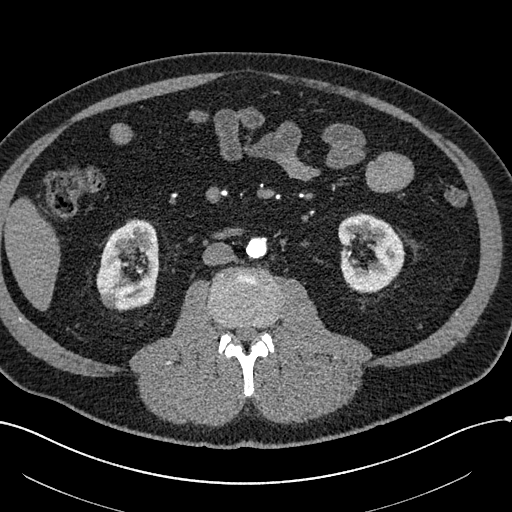
Abdominal CT with intravenous contrast, arterial phase, axial plane, 120 kVp, kernel I30f. Slice 266/602 from the bottom of the scan; thickness 1.00 mm; pixel size 0.799 mm.
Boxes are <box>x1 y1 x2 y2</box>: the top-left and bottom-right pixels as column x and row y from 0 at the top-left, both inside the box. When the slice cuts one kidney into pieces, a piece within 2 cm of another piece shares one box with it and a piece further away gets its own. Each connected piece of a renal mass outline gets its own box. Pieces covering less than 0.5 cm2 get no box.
Boxed on this slice (two kidney boxes and one renal mass box), listed by box centre from the image's left to its right: (1) Right renal mass: <box>100 292 118 309</box> (outlined area 233 px, about 1.5 cm2). (2) Right kidney: <box>96 219 158 309</box> (outlined area 4,149 px, about 26.5 cm2). (3) Left kidney: <box>338 213 404 293</box> (outlined area 3,786 px, about 24.2 cm2).